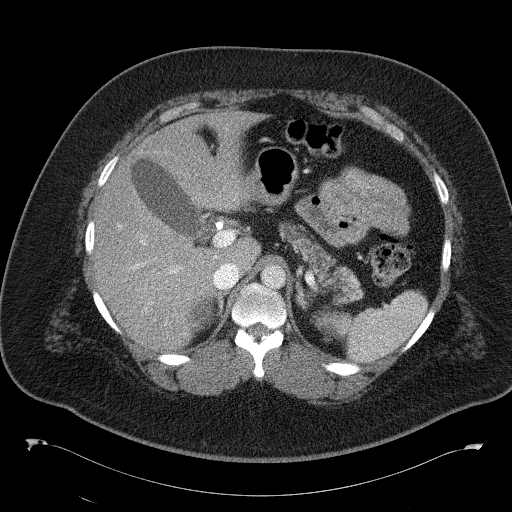
Abdominal CT with intravenous contrast, axial plane, 120 kVp, kernel B41f. Slice 91/146 from the bottom of the scan; thickness 5.00 mm; pixel size 0.840 mm.
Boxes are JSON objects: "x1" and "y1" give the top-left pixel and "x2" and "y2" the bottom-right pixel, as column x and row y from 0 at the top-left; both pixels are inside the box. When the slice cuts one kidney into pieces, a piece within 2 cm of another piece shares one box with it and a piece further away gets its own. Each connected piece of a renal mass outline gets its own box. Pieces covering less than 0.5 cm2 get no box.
Boxed on this slice (two kidney boxes), listed by box centre from the image's left to its right: (1) Kidney, box {"x1": 186, "y1": 300, "x2": 215, "y2": 330} (outlined area 669 px, about 4.7 cm2). (2) Kidney, box {"x1": 315, "y1": 310, "x2": 330, "y2": 331} (outlined area 292 px, about 2.1 cm2). This slice carries no renal mass outline.